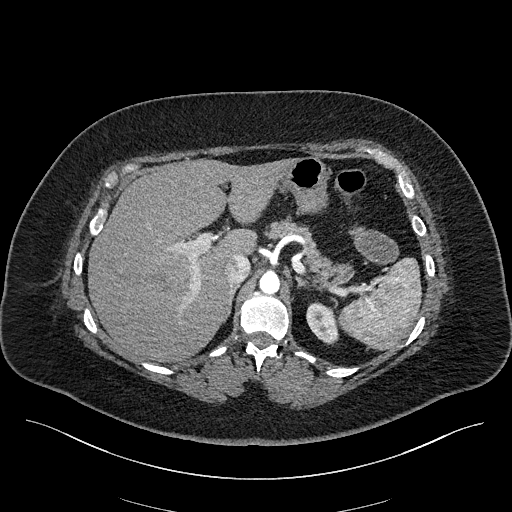
Axial slice 163 of 270 of a contrast-enhanced abdominal CT in the arterial phase (slice 1 is the lowest), 100 kVp, kernel I40f; 2.00 mm slice thickness and 0.855 mm pixels.
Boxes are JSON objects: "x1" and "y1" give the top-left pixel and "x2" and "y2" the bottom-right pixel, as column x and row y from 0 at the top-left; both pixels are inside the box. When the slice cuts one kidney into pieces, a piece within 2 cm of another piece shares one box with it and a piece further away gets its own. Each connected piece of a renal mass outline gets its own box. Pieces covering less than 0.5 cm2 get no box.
Box {"x1": 306, "y1": 302, "x2": 339, "y2": 344}: left kidney (outlined area 1,022 px, about 7.5 cm2). No renal mass is outlined on this slice.